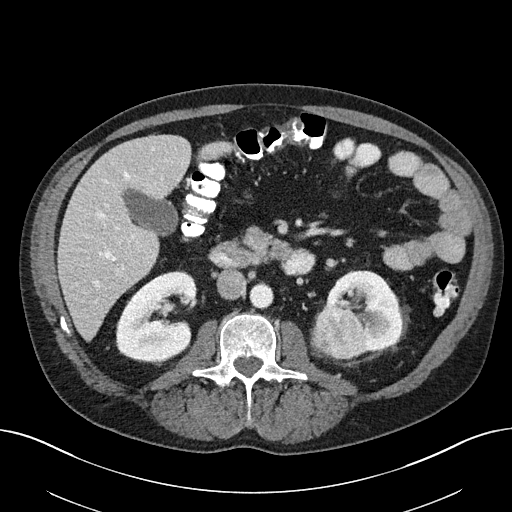
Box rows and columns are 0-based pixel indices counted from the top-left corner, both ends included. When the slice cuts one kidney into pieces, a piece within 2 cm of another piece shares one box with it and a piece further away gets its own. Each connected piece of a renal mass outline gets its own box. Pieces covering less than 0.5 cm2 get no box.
Contrast-enhanced abdominal CT, axial slice 106 of 163 (counted from the lowest slice); 3.00 mm thick, 0.799 mm per pixel. Two kidney boxes and one renal mass box on this slice; by box centre, from the image's left to its right: (1) Right kidney at rows 271–363, columns 116–196 (outlined area 5,191 px, about 33.1 cm2). (2) Left renal mass, box rows 306–359, columns 311–364 (outlined area 2,326 px, about 14.8 cm2). (3) Box rows 270–354, columns 324–403: left kidney (outlined area 3,843 px, about 24.5 cm2).
Scan settings: 100 kVp, I40f reconstruction kernel.